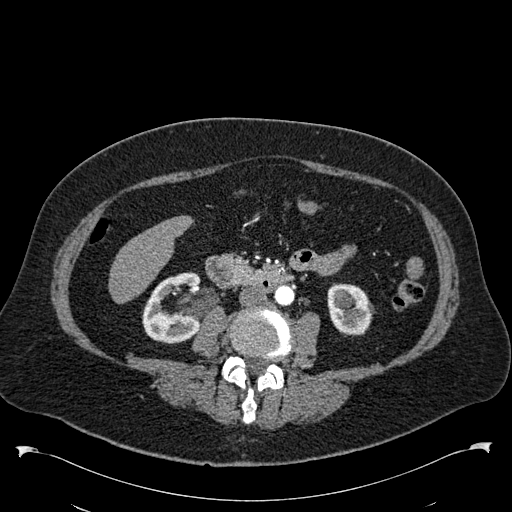
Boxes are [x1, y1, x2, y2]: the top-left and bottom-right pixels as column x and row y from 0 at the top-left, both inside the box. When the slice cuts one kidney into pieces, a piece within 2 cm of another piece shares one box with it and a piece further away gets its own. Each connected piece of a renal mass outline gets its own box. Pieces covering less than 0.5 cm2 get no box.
Arterial-phase contrast-enhanced abdominal CT, axial slice 258 of 538 (counted from the lowest slice); 1.00 mm thick, 0.811 mm per pixel. Boxed on this slice (two kidney boxes), listed by box centre from the image's left to its right: (1) Box [142, 272, 200, 343]: right kidney (outlined area 3,123 px, about 20.5 cm2). (2) Left kidney, box [327, 283, 374, 335] (outlined area 1,953 px, about 12.8 cm2). No renal mass outline on this slice.
Tube voltage 120 kVp; convolution kernel B30f.